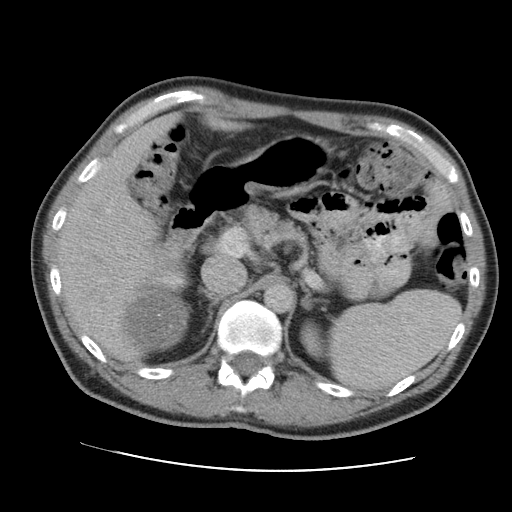
Axial slice 80 of 105 of a contrast-enhanced abdominal CT in the arterial phase (slice 1 is the lowest), 120 kVp, kernel STANDARD; 5.00 mm slice thickness and 0.707 mm pixels.
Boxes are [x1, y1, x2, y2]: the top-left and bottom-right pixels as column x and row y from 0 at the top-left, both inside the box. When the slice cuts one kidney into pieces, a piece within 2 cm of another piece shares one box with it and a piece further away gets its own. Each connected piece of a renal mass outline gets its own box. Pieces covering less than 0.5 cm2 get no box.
Boxed on this slice (one kidney box and one renal mass box), listed by box centre from the image's left to its right: (1) Right renal mass at [117, 284, 192, 351] (outlined area 3,900 px, about 19.5 cm2); it sits over 1 cm from every kidney outline on this slice, but the same outlined renal mass comes within 1 cm of the kidney on another slice. (2) Box [300, 320, 326, 360]: left kidney (outlined area 768 px, about 3.8 cm2).